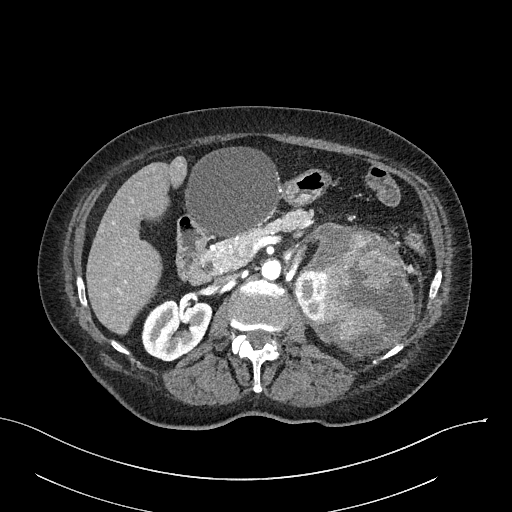
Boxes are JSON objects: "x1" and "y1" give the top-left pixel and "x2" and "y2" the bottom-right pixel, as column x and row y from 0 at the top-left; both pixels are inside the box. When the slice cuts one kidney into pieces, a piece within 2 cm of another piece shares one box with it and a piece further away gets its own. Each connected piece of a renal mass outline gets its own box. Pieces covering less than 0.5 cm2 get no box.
Slice 152/316 of a contrast-enhanced abdominal CT in the arterial phase, counting up from the lowest; pixel size 0.840 mm, slice thickness 2.00 mm. Three boxes on this slice (two kidney boxes and one renal mass box), listed by box centre from the image's left to its right. (1) Box {"x1": 141, "y1": 299, "x2": 211, "y2": 360}: right kidney (outlined area 3,275 px, about 23.1 cm2). (2) Box {"x1": 294, "y1": 270, "x2": 325, "y2": 319}: left kidney (outlined area 1,290 px, about 9.1 cm2). (3) Box {"x1": 303, "y1": 222, "x2": 415, "y2": 357}: left renal mass (outlined area 10,545 px, about 74.4 cm2).
Acquired at 100 kVp and reconstructed with the I40f kernel.